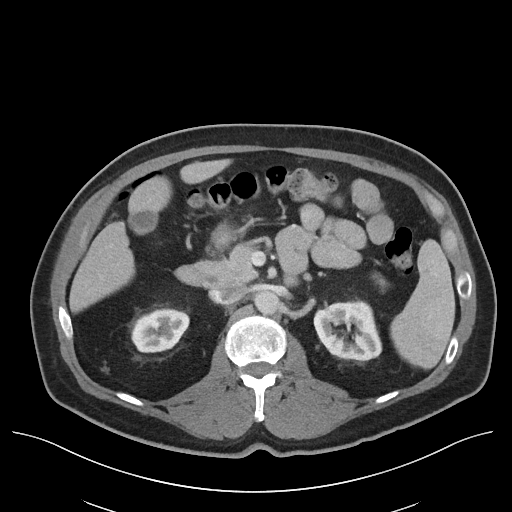
Axial slice 70 of 96 of a contrast-enhanced abdominal CT in the arterial phase (slice 1 is the lowest), 120 kVp, kernel I40f; 5.00 mm slice thickness and 0.840 mm pixels.
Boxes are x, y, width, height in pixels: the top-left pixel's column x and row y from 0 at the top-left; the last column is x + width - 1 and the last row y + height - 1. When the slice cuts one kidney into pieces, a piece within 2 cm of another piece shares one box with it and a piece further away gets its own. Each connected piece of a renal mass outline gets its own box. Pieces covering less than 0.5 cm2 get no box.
Two boxes on this slice (two kidney boxes), listed by box centre from the image's left to its right. (1) Right kidney, box x 131, y 308, width 59, height 45 (outlined area 1,963 px, about 13.8 cm2). (2) Left kidney at x 313, y 300, width 69, height 61 (outlined area 3,138 px, about 22.1 cm2). No renal mass outline on this slice.